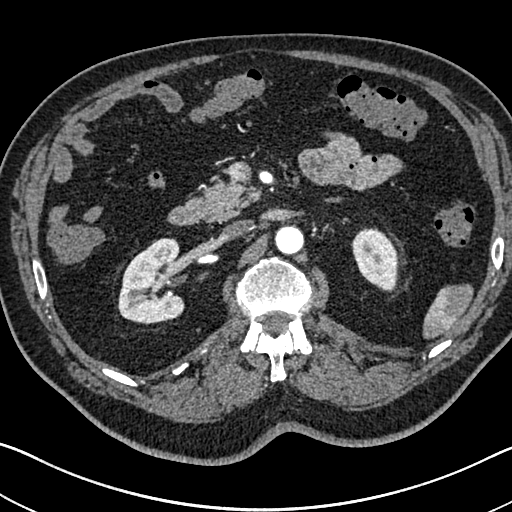
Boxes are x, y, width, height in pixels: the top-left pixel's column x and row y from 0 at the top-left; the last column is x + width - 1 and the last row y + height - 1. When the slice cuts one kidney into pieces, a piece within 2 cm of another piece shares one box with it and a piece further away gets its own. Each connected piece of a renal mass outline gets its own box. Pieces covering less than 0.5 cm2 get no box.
Slice 452/705 of a contrast-enhanced abdominal CT in the arterial phase, counting up from the lowest; pixel size 0.703 mm, slice thickness 1.00 mm. Boxed on this slice (two kidney boxes), listed by box centre from the image's left to its right: (1) Right kidney, box x 117, y 238, width 67, height 86 (outlined area 4,345 px, about 21.5 cm2). (2) Left kidney at x 351, y 227, width 50, height 66 (outlined area 2,233 px, about 11.0 cm2). No renal mass is outlined on this slice.
Tube voltage 120 kVp; convolution kernel I30f.